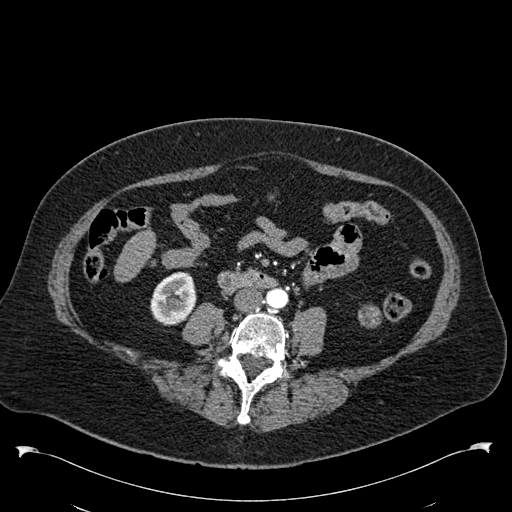
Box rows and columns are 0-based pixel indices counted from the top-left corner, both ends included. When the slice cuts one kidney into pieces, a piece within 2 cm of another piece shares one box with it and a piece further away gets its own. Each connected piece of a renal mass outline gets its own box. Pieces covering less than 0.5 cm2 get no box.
This is axial slice 218 of 538 (slice 1 is the lowest) of an arterial-phase abdominal CT with contrast; each pixel is 0.811 mm and the slice is 1.00 mm thick. Two boxes on this slice (one kidney box and one renal mass box), listed by box centre from the image's left to its right. (1) Right kidney, box rows 271–325, columns 150–196 (outlined area 1,945 px, about 12.8 cm2). (2) Left renal mass at rows 304–328, columns 358–381 (outlined area 457 px, about 3.0 cm2); it sits over 1 cm from every kidney outline on this slice, but the same outlined renal mass comes within 1 cm of the kidney on another slice.
Tube voltage 120 kVp; convolution kernel B30f.